Axial slice 42 of 121 of a contrast-enhanced abdominal CT in the arterial phase (slice 1 is the lowest), 120 kVp, kernel STANDARD; 2.50 mm slice thickness and 0.861 mm pixels.
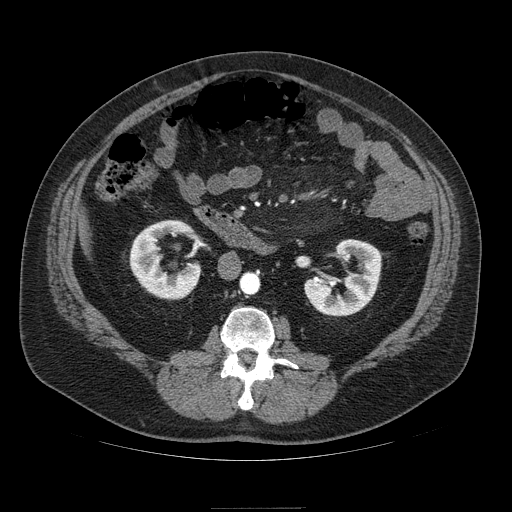
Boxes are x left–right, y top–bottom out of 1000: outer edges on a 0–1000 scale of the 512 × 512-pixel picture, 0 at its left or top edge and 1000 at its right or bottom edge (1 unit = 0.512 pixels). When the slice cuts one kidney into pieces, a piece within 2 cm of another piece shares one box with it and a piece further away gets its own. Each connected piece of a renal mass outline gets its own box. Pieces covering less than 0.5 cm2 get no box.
Two boxes on this slice (two kidney boxes), listed by box centre from the image's left to its right. (1) Right kidney, box x 252–393, y 430–586 out of 1000 (outlined area 3,438 px, about 25.5 cm2). (2) Left kidney, box x 594–746, y 467–619 out of 1000 (outlined area 3,632 px, about 26.9 cm2). No renal mass outline on this slice.